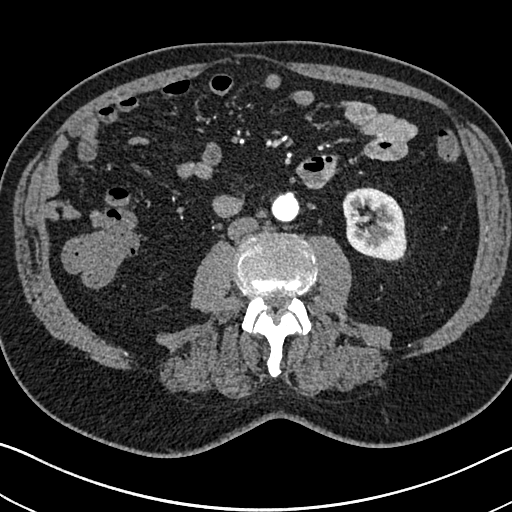
Arterial-phase contrast-enhanced abdominal CT, axial slice 323 of 705 (counted from the lowest slice); tube voltage 120 kVp, convolution kernel I30f; slices 1.00 mm thick, 0.703 mm per pixel.
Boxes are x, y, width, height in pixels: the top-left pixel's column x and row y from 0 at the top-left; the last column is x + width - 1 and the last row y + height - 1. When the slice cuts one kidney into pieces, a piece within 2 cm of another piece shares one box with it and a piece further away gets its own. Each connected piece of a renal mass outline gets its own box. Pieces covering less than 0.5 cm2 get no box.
Box x 341, y 187, width 66, height 75: left kidney (outlined area 3,763 px, about 18.6 cm2). No renal mass outline on this slice.